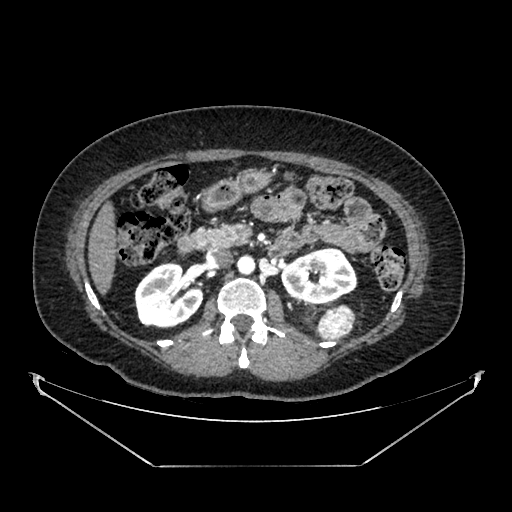
Arterial-phase contrast-enhanced abdominal CT, axial slice 234 of 383 (counted from the lowest slice); tube voltage 100 kVp, convolution kernel SOFT; slices 1.25 mm thick, 0.898 mm per pixel.
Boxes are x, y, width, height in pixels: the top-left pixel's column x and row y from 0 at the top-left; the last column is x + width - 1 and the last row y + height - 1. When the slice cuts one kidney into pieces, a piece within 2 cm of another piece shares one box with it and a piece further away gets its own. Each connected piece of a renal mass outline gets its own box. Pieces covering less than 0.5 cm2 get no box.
Boxed on this slice (two kidney boxes and one renal mass box), listed by box centre from the image's left to its right: (1) Right kidney at x 134, y 262, width 70, height 67 (outlined area 3,518 px, about 28.4 cm2). (2) Left kidney at x 280, y 247, width 78, height 58 (outlined area 3,269 px, about 26.4 cm2). (3) Left renal mass, box x 318, y 305, width 38, height 35 (outlined area 1,026 px, about 8.3 cm2).